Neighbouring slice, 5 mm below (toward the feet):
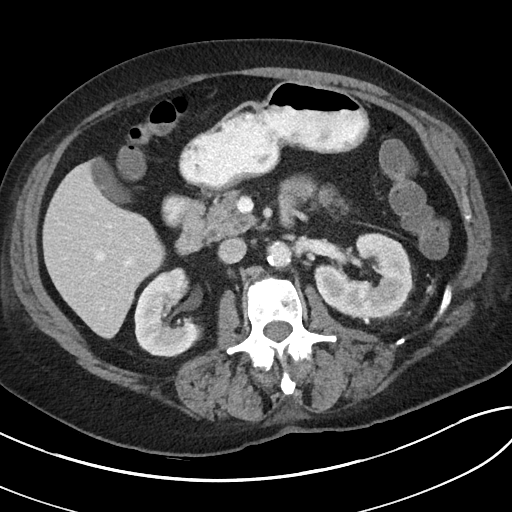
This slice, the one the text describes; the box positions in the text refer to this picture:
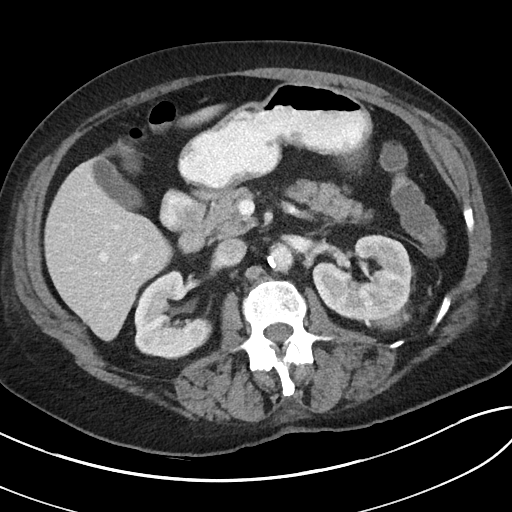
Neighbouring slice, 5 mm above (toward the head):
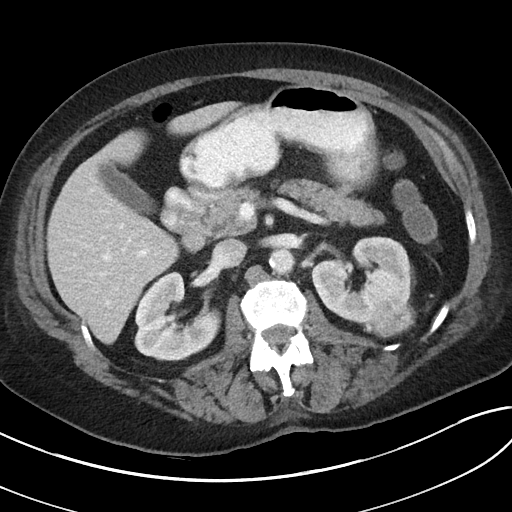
One axial slice (59 of 80, counting up from the lowest) of a contrast-enhanced abdominal CT acquired with 100 kVp, kernel I40f; each pixel is 0.703 mm and the slice is 5.00 mm thick.
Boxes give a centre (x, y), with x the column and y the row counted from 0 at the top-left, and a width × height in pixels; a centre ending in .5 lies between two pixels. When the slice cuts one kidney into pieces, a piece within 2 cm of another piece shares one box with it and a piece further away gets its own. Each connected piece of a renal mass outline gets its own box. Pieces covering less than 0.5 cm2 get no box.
Boxed on this slice (two kidney boxes and one renal mass box), listed by box centre from the image's left to its right: (1) Box centre (173, 314.5), 79 × 90 pixels: right kidney (outlined area 4,770 px, about 23.6 cm2). (2) Left kidney in a box with centre (361.5, 277.5), 100 × 86 pixels (outlined area 6,028 px, about 29.8 cm2). (3) Left renal mass, box centre (394.5, 315.5), 34 × 28 pixels (outlined area 635 px, about 3.1 cm2). This slice is near the end of the left renal mass toward the feet, so the slices 5 mm below and 5 mm above it are shown as well; the boxes refer to this slice only.